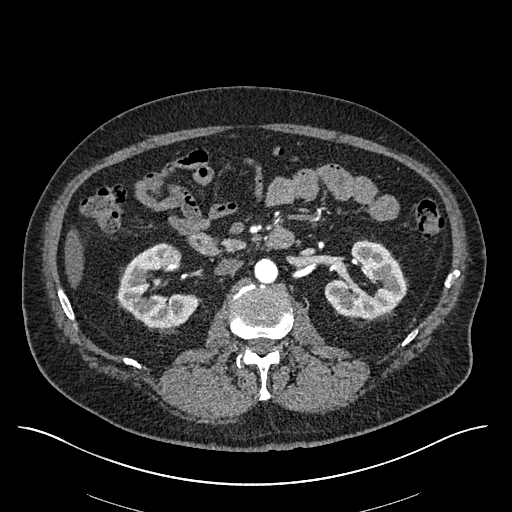
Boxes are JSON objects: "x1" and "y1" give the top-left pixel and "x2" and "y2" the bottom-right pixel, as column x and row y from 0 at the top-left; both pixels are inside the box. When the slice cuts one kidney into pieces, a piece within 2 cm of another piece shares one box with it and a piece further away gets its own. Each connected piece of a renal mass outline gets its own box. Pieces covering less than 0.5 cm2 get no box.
Arterial-phase contrast-enhanced abdominal CT, axial slice 327 of 670 (counted from the lowest slice); 1.00 mm thick, 0.861 mm per pixel. Boxed on this slice (two kidney boxes and one renal mass box), listed by box centre from the image's left to its right: (1) Right kidney, box {"x1": 117, "y1": 243, "x2": 197, "y2": 328} (outlined area 3,951 px, about 29.3 cm2). (2) Box {"x1": 162, "y1": 245, "x2": 182, "y2": 265}: right renal mass (outlined area 321 px, about 2.4 cm2). (3) Left kidney, box {"x1": 324, "y1": 240, "x2": 406, "y2": 318} (outlined area 4,239 px, about 31.4 cm2).
Tube voltage 120 kVp; convolution kernel I30f.